Abdominal CT with intravenous contrast, axial plane, 140 kVp, kernel B41f. Slice 42/61 from the bottom of the scan; thickness 3.00 mm; pixel size 0.939 mm.
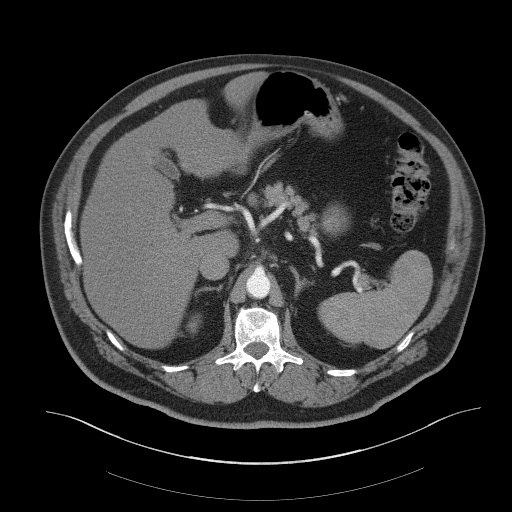
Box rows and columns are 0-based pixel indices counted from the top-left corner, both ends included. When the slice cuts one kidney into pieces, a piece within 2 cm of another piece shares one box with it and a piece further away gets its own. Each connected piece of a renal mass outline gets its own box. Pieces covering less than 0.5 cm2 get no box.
Box rows 314–333, columns 187–201: right kidney (outlined area 184 px, about 1.6 cm2). This slice carries no renal mass outline.